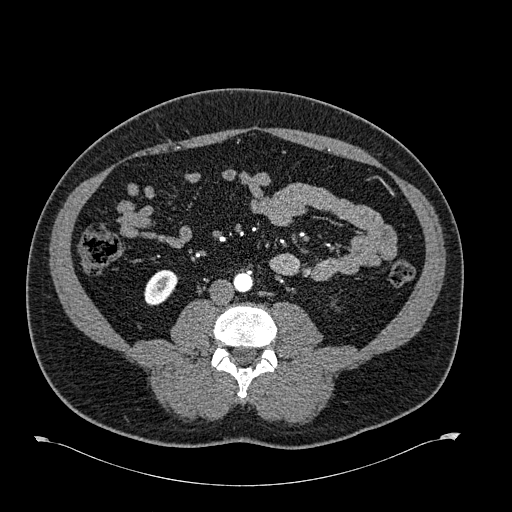
Arterial-phase contrast-enhanced abdominal CT, axial slice 261 of 723 (counted from the lowest slice); tube voltage 120 kVp, convolution kernel B30f; slices 1.00 mm thick, 0.895 mm per pixel.
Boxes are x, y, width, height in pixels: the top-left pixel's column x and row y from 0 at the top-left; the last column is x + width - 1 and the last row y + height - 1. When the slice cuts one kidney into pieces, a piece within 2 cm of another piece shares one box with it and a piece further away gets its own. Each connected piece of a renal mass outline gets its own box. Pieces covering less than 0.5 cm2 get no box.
Right kidney, box x 144, y 269, width 35, height 37 (outlined area 893 px, about 7.1 cm2). No renal mass outline on this slice.